One axial slice (9 of 61, counting up from the lowest) of an arterial-phase abdominal CT acquired with 140 kVp, kernel I41f; each pixel is 0.947 mm and the slice is 3.00 mm thick.
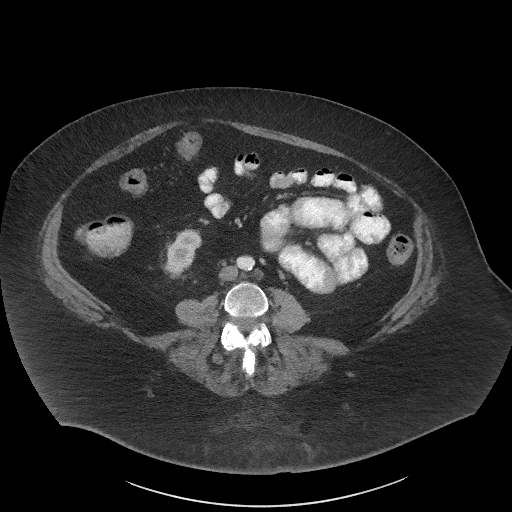
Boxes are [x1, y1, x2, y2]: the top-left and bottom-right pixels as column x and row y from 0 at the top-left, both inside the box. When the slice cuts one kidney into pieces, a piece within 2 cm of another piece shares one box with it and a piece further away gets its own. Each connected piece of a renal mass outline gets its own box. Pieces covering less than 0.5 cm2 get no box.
Box [162, 228, 202, 278]: right kidney (outlined area 1,252 px, about 11.2 cm2). No renal mass is outlined on this slice.